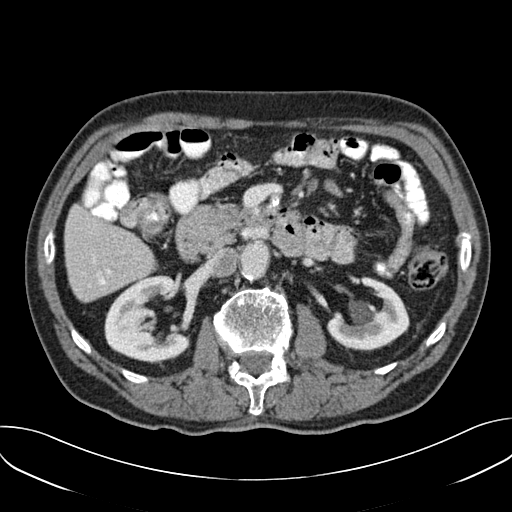
One axial slice (103 of 157, counting up from the lowest) of an arterial-phase abdominal CT acquired with 120 kVp, kernel B30f; each pixel is 0.742 mm and the slice is 3.00 mm thick.
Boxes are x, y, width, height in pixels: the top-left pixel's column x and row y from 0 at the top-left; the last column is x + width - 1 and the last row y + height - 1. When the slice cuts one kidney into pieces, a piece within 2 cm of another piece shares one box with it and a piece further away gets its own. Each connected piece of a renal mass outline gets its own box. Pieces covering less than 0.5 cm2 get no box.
Boxed on this slice (two kidney boxes), listed by box centre from the image's left to its right: (1) Box x 104, y 275, width 86, height 87: right kidney (outlined area 4,843 px, about 26.7 cm2). (2) Left kidney at x 327, y 276, width 83, height 76 (outlined area 3,704 px, about 20.4 cm2). This slice carries no renal mass outline.